Axial slice 371 of 634 of a contrast-enhanced abdominal CT in the arterial phase (slice 1 is the lowest), 120 kVp, kernel B20f; 1.00 mm slice thickness and 0.838 mm pixels.
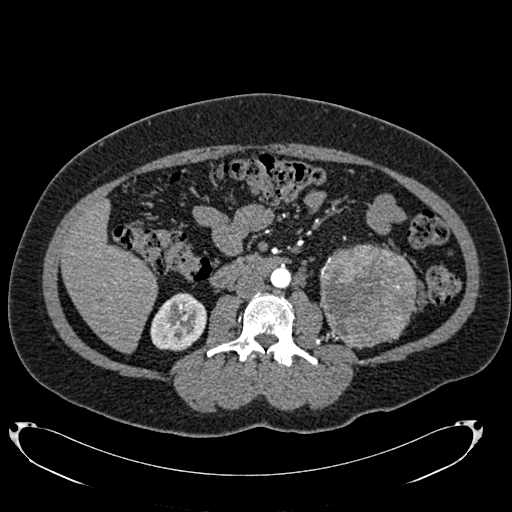
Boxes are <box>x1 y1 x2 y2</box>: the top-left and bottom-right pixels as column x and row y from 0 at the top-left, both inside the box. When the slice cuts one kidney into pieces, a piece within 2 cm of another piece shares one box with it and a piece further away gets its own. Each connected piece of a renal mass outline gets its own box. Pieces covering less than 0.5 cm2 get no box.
Two boxes on this slice (one kidney box and one renal mass box), listed by box centre from the image's left to its right. (1) Right kidney: <box>150 293 206 351</box> (outlined area 2,507 px, about 17.6 cm2). (2) Left renal mass: <box>319 243 417 347</box> (outlined area 8,183 px, about 57.4 cm2); it sits over 1 cm from every kidney outline on this slice, but the same outlined renal mass comes within 1 cm of the kidney on another slice.